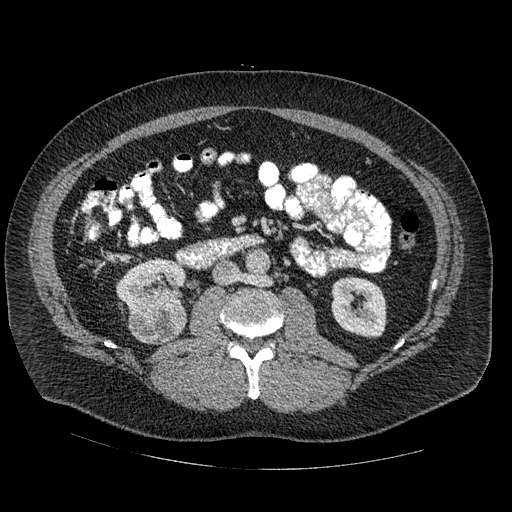
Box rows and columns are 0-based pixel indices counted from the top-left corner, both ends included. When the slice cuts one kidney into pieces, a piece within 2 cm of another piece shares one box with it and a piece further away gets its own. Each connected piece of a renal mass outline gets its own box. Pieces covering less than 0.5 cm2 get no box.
Arterial-phase contrast-enhanced abdominal CT, axial slice 256 of 445 (counted from the lowest slice); 1.25 mm thick, 0.863 mm per pixel. Two kidney boxes and one renal mass box on this slice; by box centre, from the image's left to its right: (1) Box rows 259–315, columns 116–186: right kidney (outlined area 2,680 px, about 20.0 cm2). (2) Right renal mass at rows 301–344, columns 128–187 (outlined area 2,056 px, about 15.3 cm2). (3) Left kidney, box rows 276–338, columns 331–386 (outlined area 2,791 px, about 20.8 cm2).
Scan settings: 120 kVp, STANDARD reconstruction kernel.